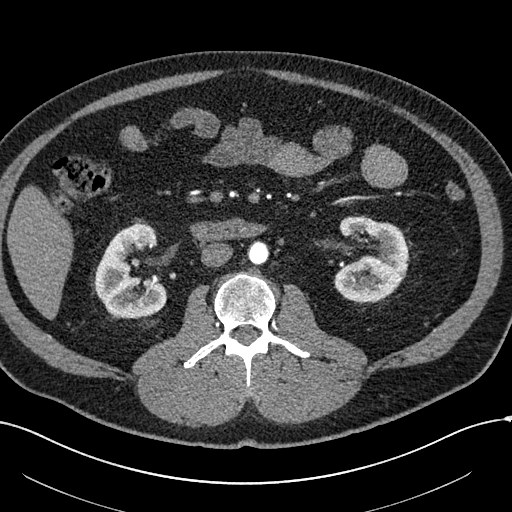
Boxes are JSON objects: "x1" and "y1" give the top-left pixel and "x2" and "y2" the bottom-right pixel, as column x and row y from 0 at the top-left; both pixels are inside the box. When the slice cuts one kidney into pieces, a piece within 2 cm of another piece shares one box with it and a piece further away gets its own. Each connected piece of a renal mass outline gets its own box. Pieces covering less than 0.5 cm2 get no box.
Arterial-phase contrast-enhanced abdominal CT, axial slice 291 of 602 (counted from the lowest slice); 1.00 mm thick, 0.799 mm per pixel. Two boxes on this slice (two kidney boxes), listed by box centre from the image's left to its right. (1) Right kidney, box {"x1": 94, "y1": 224, "x2": 167, "y2": 318} (outlined area 4,771 px, about 30.4 cm2). (2) Left kidney, box {"x1": 333, "y1": 216, "x2": 409, "y2": 302} (outlined area 4,827 px, about 30.8 cm2). No renal mass is outlined on this slice.
Tube voltage 120 kVp; convolution kernel I30f.